Abdominal CT with intravenous contrast, axial plane, 140 kVp, kernel I30f. Slice 575/834 from the bottom of the scan; thickness 1.00 mm; pixel size 0.977 mm.
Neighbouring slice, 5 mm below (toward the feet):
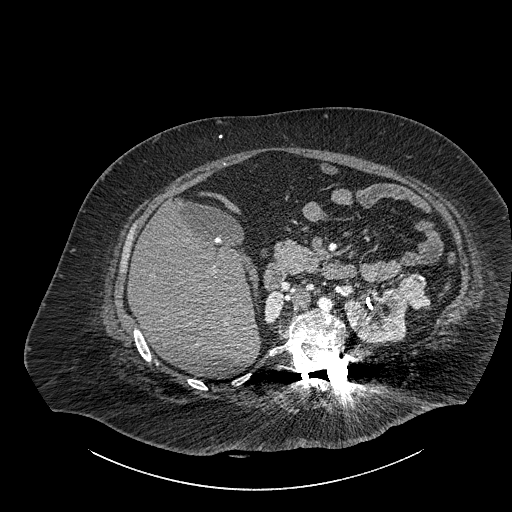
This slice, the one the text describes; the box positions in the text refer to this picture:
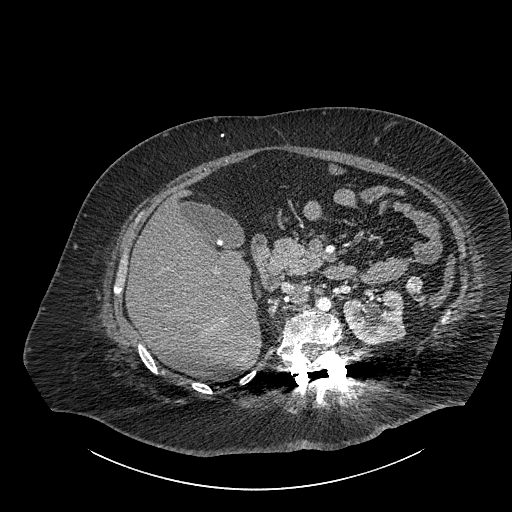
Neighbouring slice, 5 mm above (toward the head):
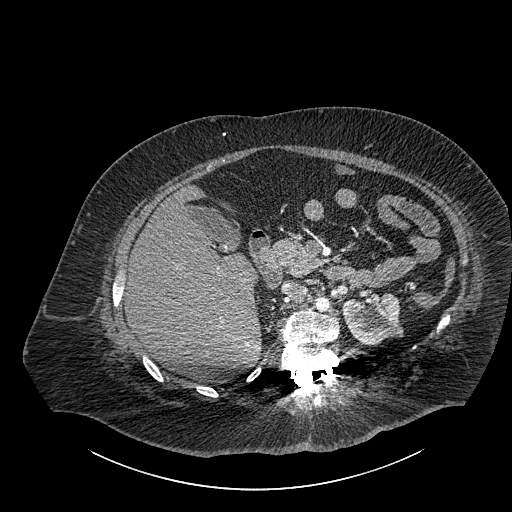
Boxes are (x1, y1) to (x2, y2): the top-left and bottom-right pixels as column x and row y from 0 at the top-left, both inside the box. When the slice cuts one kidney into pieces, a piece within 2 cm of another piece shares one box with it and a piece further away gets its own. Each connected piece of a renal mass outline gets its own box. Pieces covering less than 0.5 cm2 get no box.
Boxed on this slice (one kidney box and one renal mass box), listed by box centre from the image's left to its right: (1) Box (343, 289) to (405, 344): left part of the midline-crossing kidney (outlined area 2,693 px, about 25.7 cm2). (2) Renal mass, box (405, 276) to (422, 295) (outlined area 272 px, about 2.6 cm2). This slice lies near the end of a renal mass toward the head; the slices 5 mm below and 5 mm above it are shown too, and the boxes mark positions on this slice only.